Contrast-enhanced abdominal CT, axial slice 84 of 146 (counted from the lowest slice); tube voltage 120 kVp, convolution kernel B41f; slices 5.00 mm thick, 0.840 mm per pixel.
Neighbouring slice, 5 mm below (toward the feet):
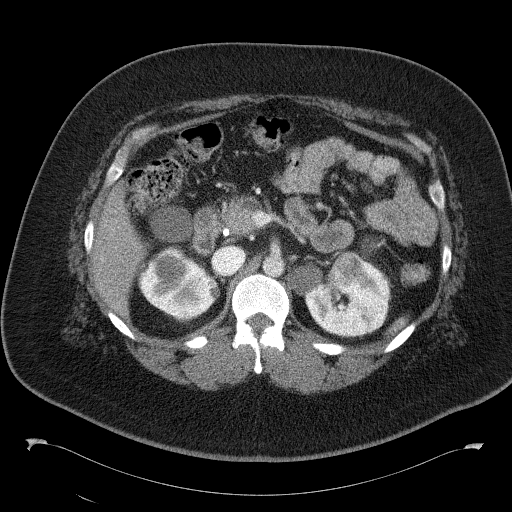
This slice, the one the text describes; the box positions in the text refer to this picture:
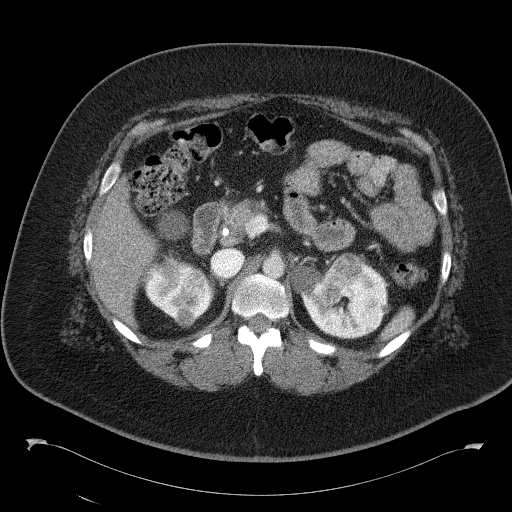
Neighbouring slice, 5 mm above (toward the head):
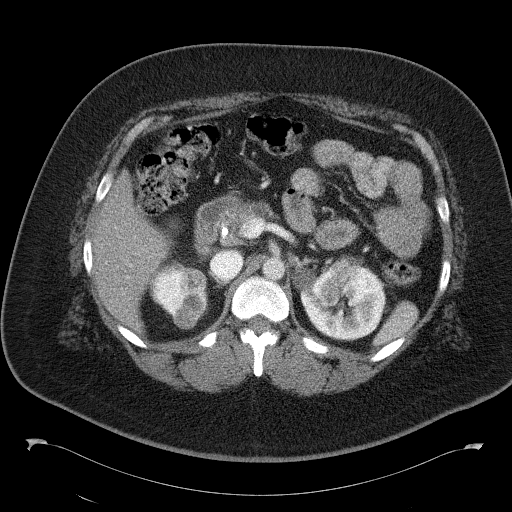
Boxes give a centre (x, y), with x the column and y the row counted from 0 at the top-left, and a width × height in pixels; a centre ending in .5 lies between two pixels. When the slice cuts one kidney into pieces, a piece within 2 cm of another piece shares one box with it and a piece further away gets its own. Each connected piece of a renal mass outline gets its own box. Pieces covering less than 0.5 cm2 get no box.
Boxed on this slice (two kidney boxes and three renal mass boxes), listed by box centre from the image's left to its right: (1) Kidney, box centre (178, 265), 69 × 111 pixels (outlined area 3,444 px, about 24.3 cm2). (2) Box centre (185, 317), 21 × 21 pixels: renal mass (outlined area 339 px, about 2.4 cm2). (3) Box centre (194, 279.5), 15 × 14 pixels: renal mass (outlined area 166 px, about 1.2 cm2). (4) Renal mass, box centre (339.5, 279.5), 46 × 54 pixels (outlined area 1,389 px, about 9.8 cm2). (5) Kidney, box centre (339.5, 298.5), 102 × 82 pixels (outlined area 4,513 px, about 31.8 cm2). This slice lies near the end of a renal mass toward the feet; the slices 5 mm below and 5 mm above it are shown too, and the boxes mark positions on this slice only.